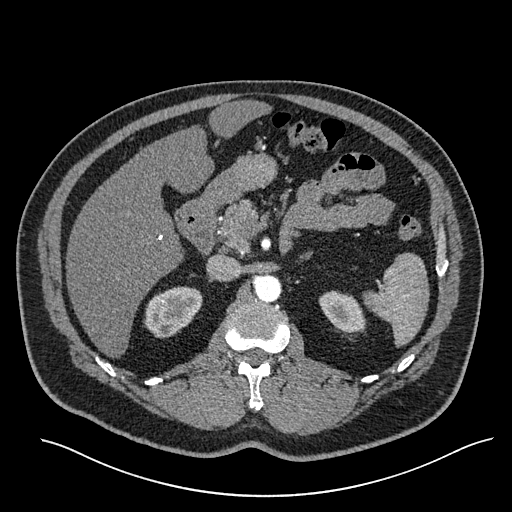
One axial slice (384 of 527, counting up from the lowest) of an arterial-phase abdominal CT acquired with 120 kVp, kernel I30f; each pixel is 0.859 mm and the slice is 1.00 mm thick.
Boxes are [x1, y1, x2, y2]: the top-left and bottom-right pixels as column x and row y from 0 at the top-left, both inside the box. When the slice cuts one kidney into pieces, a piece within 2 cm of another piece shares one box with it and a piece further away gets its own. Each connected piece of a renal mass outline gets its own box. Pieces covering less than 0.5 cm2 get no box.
Two kidney boxes on this slice; by box centre, from the image's left to its right: (1) Right kidney, box [143, 286, 202, 338] (outlined area 2,205 px, about 16.3 cm2). (2) Box [318, 290, 365, 332]: left kidney (outlined area 1,420 px, about 10.5 cm2). No renal mass is outlined on this slice.